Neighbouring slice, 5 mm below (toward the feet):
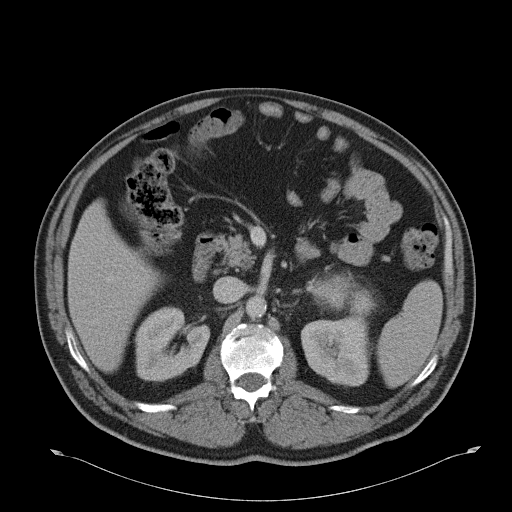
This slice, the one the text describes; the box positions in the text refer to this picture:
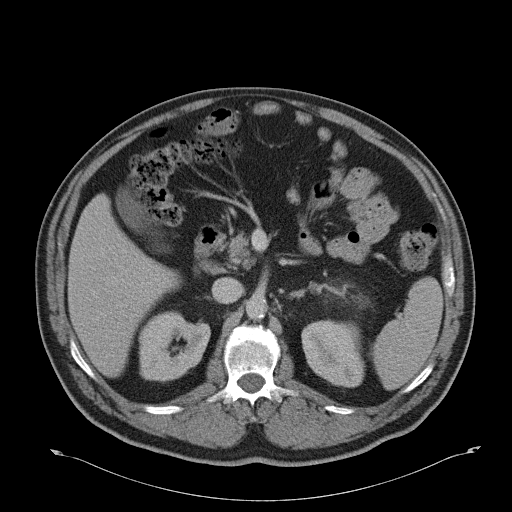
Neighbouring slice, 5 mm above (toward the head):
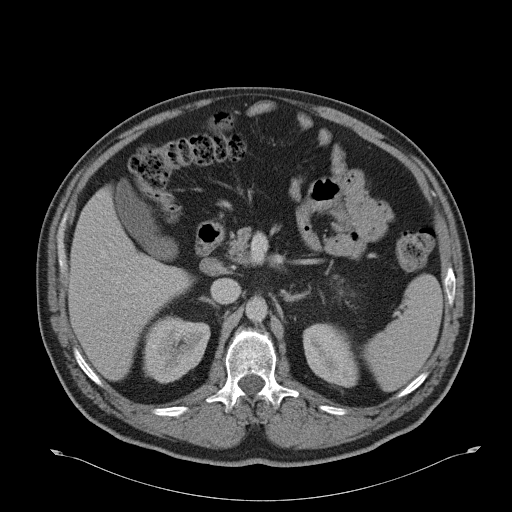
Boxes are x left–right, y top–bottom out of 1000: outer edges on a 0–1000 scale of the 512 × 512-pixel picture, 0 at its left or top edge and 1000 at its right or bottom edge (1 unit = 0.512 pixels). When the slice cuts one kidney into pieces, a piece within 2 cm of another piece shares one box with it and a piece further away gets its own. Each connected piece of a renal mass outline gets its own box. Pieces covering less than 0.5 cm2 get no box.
Slice 26/51 of a contrast-enhanced abdominal CT, counting up from the lowest; pixel size 0.865 mm, slice thickness 5.00 mm. Two kidney boxes and one renal mass box on this slice; by box centre, from the image's left to its right: (1) Right kidney at x 270–412, y 607–748 out of 1000 (outlined area 3,846 px, about 28.8 cm2). (2) Left kidney, box x 588–713, y 625–758 out of 1000 (outlined area 3,423 px, about 25.6 cm2). (3) Box x 686–723, y 572–604 out of 1000: left renal mass (outlined area 167 px, about 1.3 cm2); on this slice it lies more than 1 cm from any kidney outline, but the same outlined renal mass comes within 1 cm of the kidney on another slice. This slice is near the end of the left renal mass toward the head, so the slices 5 mm below and 5 mm above it are shown as well; the boxes refer to this slice only.
Tube voltage 120 kVp; convolution kernel B31f.